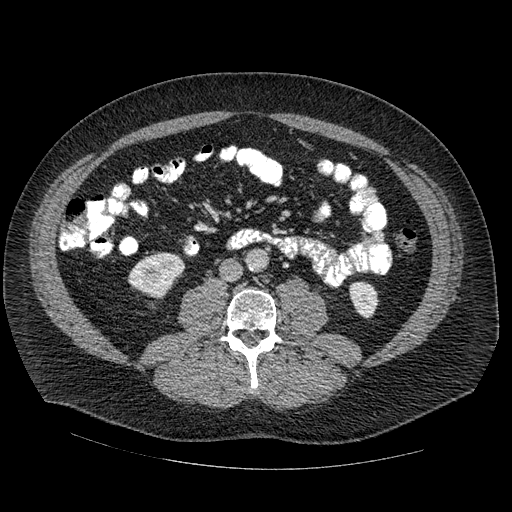
Axial slice 236 of 445 of a contrast-enhanced abdominal CT in the arterial phase (slice 1 is the lowest), 120 kVp, kernel STANDARD; 1.25 mm slice thickness and 0.863 mm pixels.
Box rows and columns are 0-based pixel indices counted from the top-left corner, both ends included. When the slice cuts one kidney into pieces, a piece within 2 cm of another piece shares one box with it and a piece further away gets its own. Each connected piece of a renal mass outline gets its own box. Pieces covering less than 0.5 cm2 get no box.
Boxed on this slice (two kidney boxes), listed by box centre from the image's left to its right: (1) Right kidney at rows 252–298, columns 128–185 (outlined area 1,856 px, about 13.8 cm2). (2) Box rows 281–318, columns 349–378: left kidney (outlined area 833 px, about 6.2 cm2). No renal mass outline on this slice.